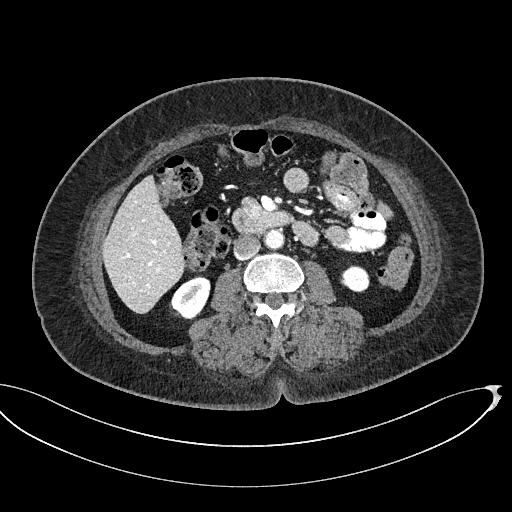
Abdominal CT with intravenous contrast, axial plane, 100 kVp, kernel I40f. Slice 266/439 from the bottom of the scan; thickness 2.00 mm; pixel size 0.850 mm.
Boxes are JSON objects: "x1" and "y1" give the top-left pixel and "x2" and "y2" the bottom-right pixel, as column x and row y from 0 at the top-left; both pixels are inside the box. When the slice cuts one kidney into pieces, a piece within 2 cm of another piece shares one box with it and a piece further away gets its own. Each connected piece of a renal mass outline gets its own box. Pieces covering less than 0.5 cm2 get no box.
Boxed on this slice (two kidney boxes), listed by box centre from the image's left to its right: (1) Right kidney at {"x1": 169, "y1": 275, "x2": 210, "y2": 319} (outlined area 1,273 px, about 9.2 cm2). (2) Left kidney, box {"x1": 340, "y1": 265, "x2": 369, "y2": 292} (outlined area 631 px, about 4.6 cm2). No renal mass outline on this slice.